Axial slice 315 of 738 of a contrast-enhanced abdominal CT in the arterial phase (slice 1 is the lowest), 120 kVp, kernel I30f; 1.00 mm slice thickness and 0.789 mm pixels.
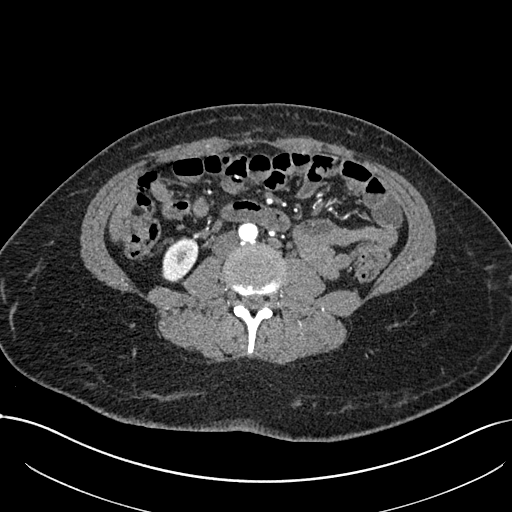
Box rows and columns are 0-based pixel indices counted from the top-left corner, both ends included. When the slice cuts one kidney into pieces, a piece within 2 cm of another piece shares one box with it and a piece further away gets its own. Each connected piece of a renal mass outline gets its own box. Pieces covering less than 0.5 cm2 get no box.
Right kidney at rows 237–282, columns 161–198 (outlined area 1,219 px, about 7.6 cm2). No renal mass outline on this slice.